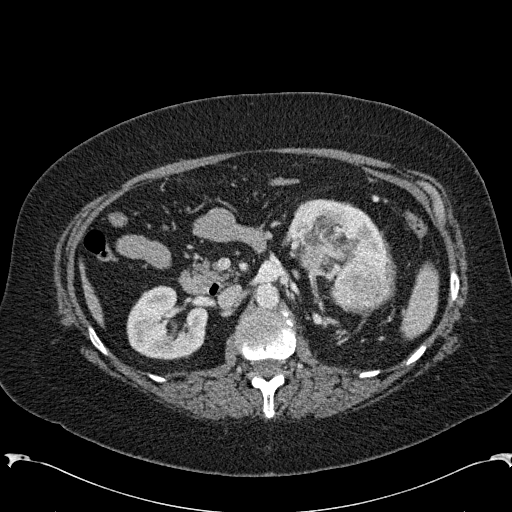
One axial slice (139 of 285, counting up from the lowest) of an arterial-phase abdominal CT acquired with 120 kVp, kernel B31f; each pixel is 0.762 mm and the slice is 2.00 mm thick.
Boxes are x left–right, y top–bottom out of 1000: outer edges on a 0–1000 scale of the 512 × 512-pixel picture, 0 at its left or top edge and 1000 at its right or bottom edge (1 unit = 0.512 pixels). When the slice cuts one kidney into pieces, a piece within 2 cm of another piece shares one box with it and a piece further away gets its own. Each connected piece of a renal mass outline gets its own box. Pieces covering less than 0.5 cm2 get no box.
Three boxes on this slice (two kidney boxes and one renal mass box), listed by box centre from the image's left to its right. (1) Right kidney at x 246–408, y 557–703 out of 1000 (outlined area 4,524 px, about 26.2 cm2). (2) Box x 564–766, y 389–504 out of 1000: left kidney (outlined area 2,947 px, about 17.1 cm2). (3) Left renal mass, box x 578–775, y 436–615 out of 1000 (outlined area 5,529 px, about 32.1 cm2).